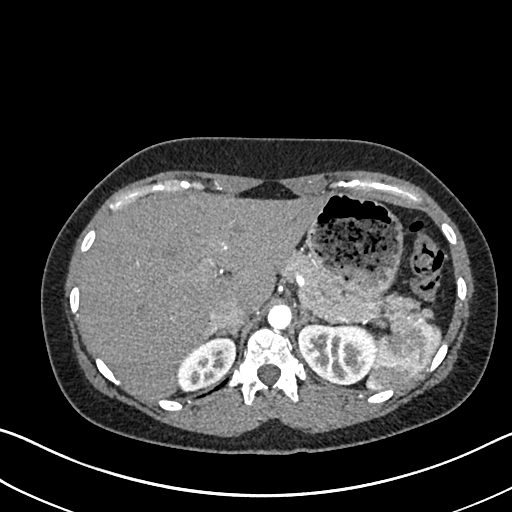
One axial slice (526 of 612, counting up from the lowest) of an arterial-phase abdominal CT acquired with 120 kVp, kernel I30f; each pixel is 0.703 mm and the slice is 1.00 mm thick.
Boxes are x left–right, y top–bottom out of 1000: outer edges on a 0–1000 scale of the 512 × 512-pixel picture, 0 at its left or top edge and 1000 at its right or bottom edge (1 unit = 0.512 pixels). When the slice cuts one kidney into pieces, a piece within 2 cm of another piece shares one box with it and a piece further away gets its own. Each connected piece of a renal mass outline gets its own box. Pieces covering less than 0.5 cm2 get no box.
Two kidney boxes on this slice; by box centre, from the image's left to its right: (1) Right kidney, box x 342–463, y 654–764 out of 1000 (outlined area 2,241 px, about 11.1 cm2). (2) Left kidney at x 580–736, y 629–754 out of 1000 (outlined area 3,879 px, about 19.2 cm2). This slice carries no renal mass outline.